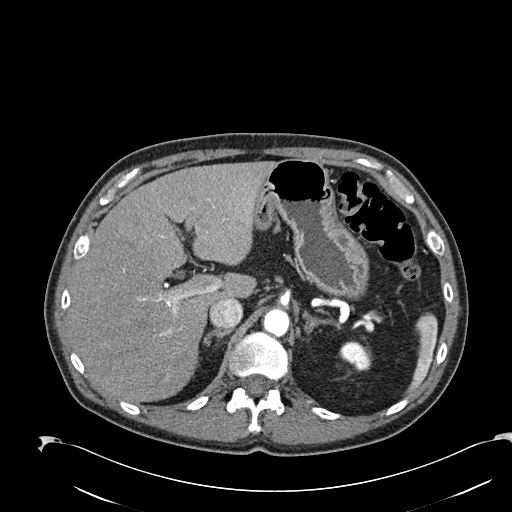
Arterial-phase contrast-enhanced abdominal CT, axial slice 172 of 274 (counted from the lowest slice); tube voltage 120 kVp, convolution kernel B30f; slices 2.00 mm thick, 0.809 mm per pixel.
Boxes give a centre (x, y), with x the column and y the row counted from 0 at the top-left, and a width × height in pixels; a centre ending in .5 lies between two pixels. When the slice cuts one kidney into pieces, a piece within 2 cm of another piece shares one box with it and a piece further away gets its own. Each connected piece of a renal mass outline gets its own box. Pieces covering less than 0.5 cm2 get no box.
Box centre (355, 355.5), 33 × 30 pixels: left kidney (outlined area 682 px, about 4.5 cm2). No renal mass is outlined on this slice.